One axial slice (124 of 325, counting up from the lowest) of an arterial-phase abdominal CT acquired with 100 kVp, kernel I30f; each pixel is 0.703 mm and the slice is 1.00 mm thick.
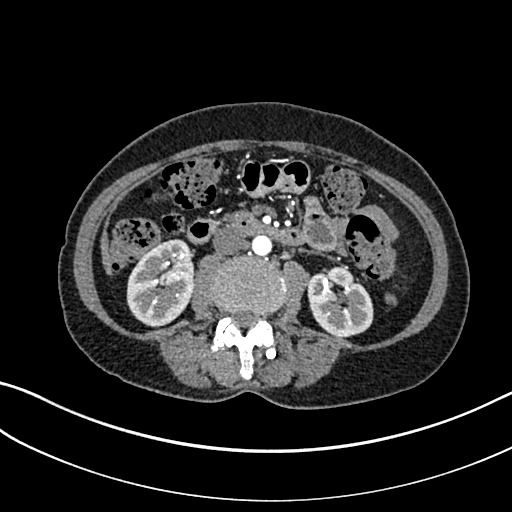
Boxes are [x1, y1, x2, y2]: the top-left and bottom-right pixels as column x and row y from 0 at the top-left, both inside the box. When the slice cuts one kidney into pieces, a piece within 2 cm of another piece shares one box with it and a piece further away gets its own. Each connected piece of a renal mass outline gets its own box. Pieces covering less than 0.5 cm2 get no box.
Boxed on this slice (two kidney boxes), listed by box centre from the image's left to its right: (1) Right kidney, box [126, 239, 194, 326] (outlined area 4,609 px, about 22.8 cm2). (2) Left kidney at [307, 266, 373, 336] (outlined area 3,503 px, about 17.3 cm2). No renal mass outline on this slice.